Arterial-phase contrast-enhanced abdominal CT, axial slice 56 of 105 (counted from the lowest slice); tube voltage 120 kVp, convolution kernel STANDARD; slices 5.00 mm thick, 0.707 mm per pixel.
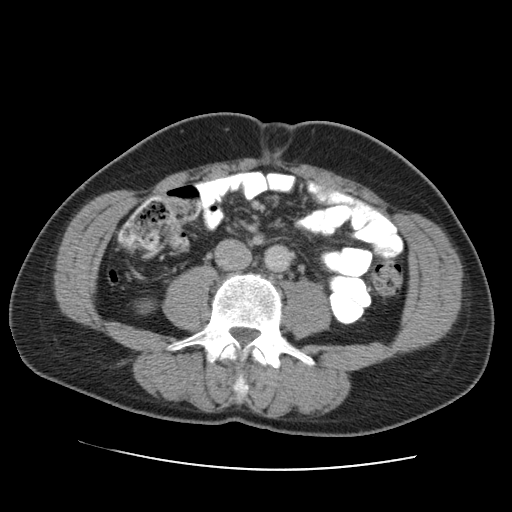
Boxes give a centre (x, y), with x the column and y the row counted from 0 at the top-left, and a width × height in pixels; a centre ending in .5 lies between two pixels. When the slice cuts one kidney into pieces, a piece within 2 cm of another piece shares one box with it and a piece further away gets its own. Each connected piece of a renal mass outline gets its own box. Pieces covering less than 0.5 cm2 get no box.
Box centre (145.5, 306), 22 × 17 pixels: right kidney (outlined area 261 px, about 1.3 cm2). No renal mass is outlined on this slice.